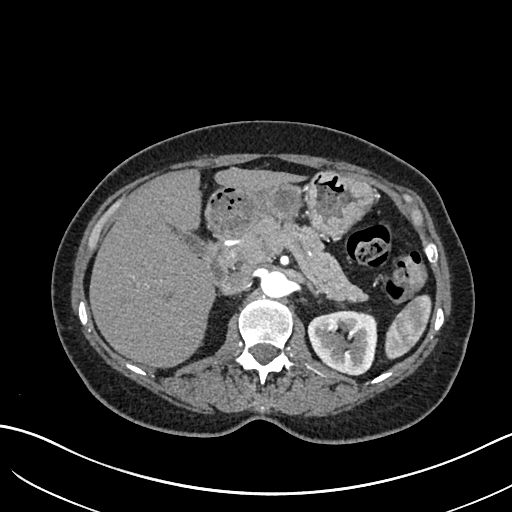
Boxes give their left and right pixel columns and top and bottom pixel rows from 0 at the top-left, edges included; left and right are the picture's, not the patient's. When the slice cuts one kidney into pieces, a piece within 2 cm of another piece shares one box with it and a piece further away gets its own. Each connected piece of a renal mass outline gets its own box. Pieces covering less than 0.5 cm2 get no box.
This is axial slice 430 of 683 (slice 1 is the lowest) of an arterial-phase abdominal CT with contrast; each pixel is 0.738 mm and the slice is 1.00 mm thick. Box with left 307, top 310, right 377, bottom 375: left kidney (outlined area 3,644 px, about 19.9 cm2). This slice carries no renal mass outline.
Scan settings: 120 kVp, I30f reconstruction kernel.